Abdominal CT with intravenous contrast, arterial phase, axial plane, 120 kVp, kernel B30f. Slice 28/59 from the bottom of the scan; thickness 5.00 mm; pixel size 0.871 mm.
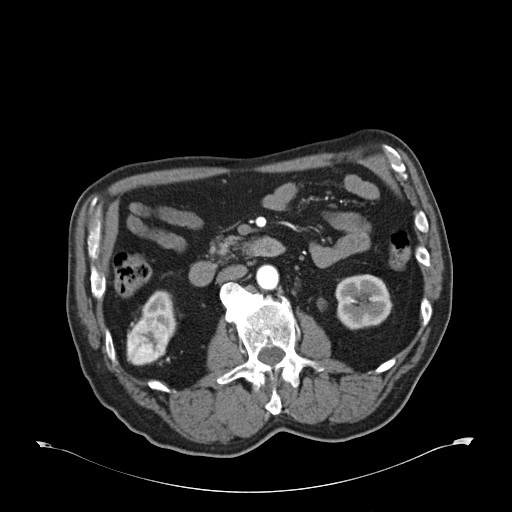
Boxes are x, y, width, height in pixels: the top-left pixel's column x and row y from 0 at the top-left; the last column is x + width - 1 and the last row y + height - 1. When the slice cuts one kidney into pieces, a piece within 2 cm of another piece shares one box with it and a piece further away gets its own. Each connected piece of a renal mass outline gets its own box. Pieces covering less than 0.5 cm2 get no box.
Three boxes on this slice (two kidney boxes and one renal mass box), listed by box centre from the image's left to its right. (1) Right renal mass, box x 126, y 319, width 43, height 47 (outlined area 1,618 px, about 12.3 cm2). (2) Right kidney, box x 138, y 290, width 39, height 51 (outlined area 1,032 px, about 7.8 cm2). (3) Left kidney, box x 335, y 274, width 58, height 56 (outlined area 2,575 px, about 19.5 cm2).